Axial slice 157 of 285 of a contrast-enhanced abdominal CT in the arterial phase (slice 1 is the lowest), 120 kVp, kernel B31f; 2.00 mm slice thickness and 0.762 mm pixels.
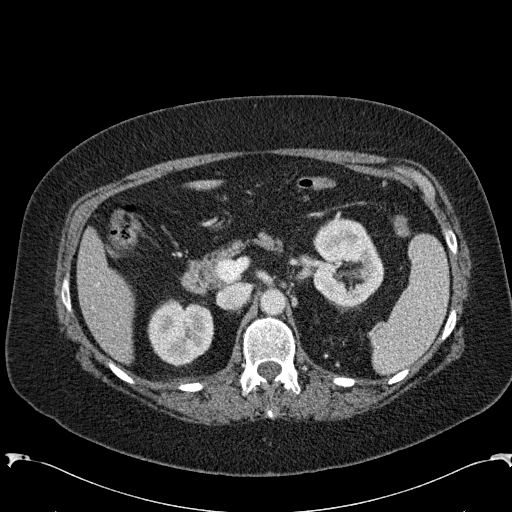
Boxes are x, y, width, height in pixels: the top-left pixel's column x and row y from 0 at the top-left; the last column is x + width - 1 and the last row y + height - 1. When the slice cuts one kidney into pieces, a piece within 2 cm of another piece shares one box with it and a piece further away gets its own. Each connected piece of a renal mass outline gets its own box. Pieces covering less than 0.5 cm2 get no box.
Two kidney boxes on this slice; by box centre, from the image's left to its right: (1) Right kidney, box x 147, y 298, width 68, height 69 (outlined area 3,461 px, about 20.1 cm2). (2) Left kidney, box x 312, y 218, width 73, height 89 (outlined area 4,907 px, about 28.5 cm2). No renal mass is outlined on this slice.